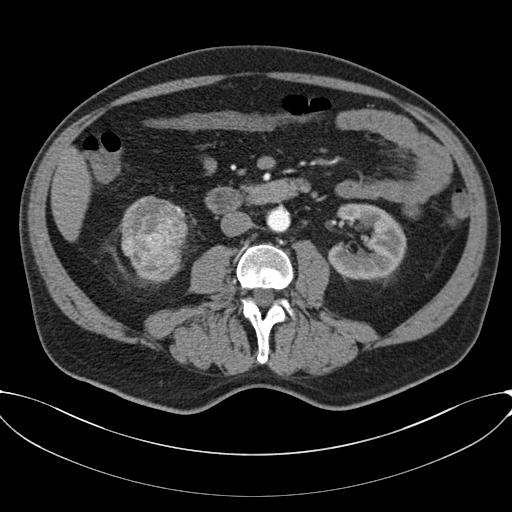
One axial slice (26 of 80, counting up from the lowest) of a contrast-enhanced abdominal CT acquired with 120 kVp, kernel B30f; each pixel is 0.822 mm and the slice is 3.00 mm thick.
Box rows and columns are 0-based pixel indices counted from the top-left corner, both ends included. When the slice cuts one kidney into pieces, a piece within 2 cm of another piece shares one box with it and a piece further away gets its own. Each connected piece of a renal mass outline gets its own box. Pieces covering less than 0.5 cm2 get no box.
Boxed on this slice (two kidney boxes and one renal mass box), listed by box centre from the image's left to its right: (1) Right renal mass at rows 196–271, columns 121–187 (outlined area 4,019 px, about 27.2 cm2). (2) Right kidney, box rows 260–280, columns 135–181 (outlined area 385 px, about 2.6 cm2). (3) Box rows 203–280, columns 327–406: left kidney (outlined area 4,285 px, about 29.0 cm2).